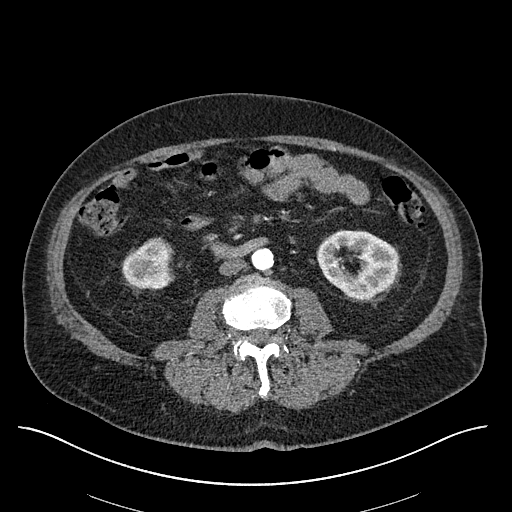
Axial slice 262 of 670 of a contrast-enhanced abdominal CT in the arterial phase (slice 1 is the lowest), 120 kVp, kernel I30f; 1.00 mm slice thickness and 0.861 mm pixels.
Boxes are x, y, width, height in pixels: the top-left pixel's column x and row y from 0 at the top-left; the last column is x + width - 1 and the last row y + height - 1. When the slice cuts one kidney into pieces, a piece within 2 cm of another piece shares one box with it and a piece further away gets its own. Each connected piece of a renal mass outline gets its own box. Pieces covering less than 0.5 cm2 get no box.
Boxed on this slice (two kidney boxes), listed by box centre from the image's left to its right: (1) Right kidney, box x 122, y 237, width 51, height 53 (outlined area 2,046 px, about 15.2 cm2). (2) Left kidney, box x 316, y 229, width 84, height 71 (outlined area 4,154 px, about 30.8 cm2). No renal mass is outlined on this slice.